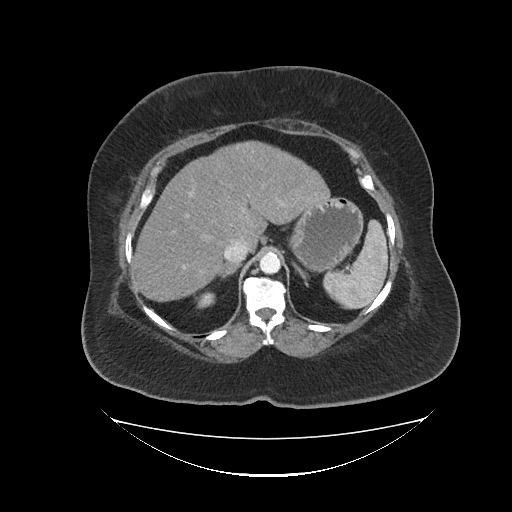
Arterial-phase contrast-enhanced abdominal CT, axial slice 71 of 85 (counted from the lowest slice); tube voltage 120 kVp, convolution kernel FC19; slices 5.00 mm thick, 1.041 mm per pixel.
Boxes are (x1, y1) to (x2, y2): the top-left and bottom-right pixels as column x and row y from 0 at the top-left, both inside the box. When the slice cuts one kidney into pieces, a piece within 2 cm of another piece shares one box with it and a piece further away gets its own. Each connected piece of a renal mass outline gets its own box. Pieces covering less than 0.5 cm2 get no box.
Box (195, 291) to (215, 308): right kidney (outlined area 279 px, about 3.0 cm2). No renal mass outline on this slice.